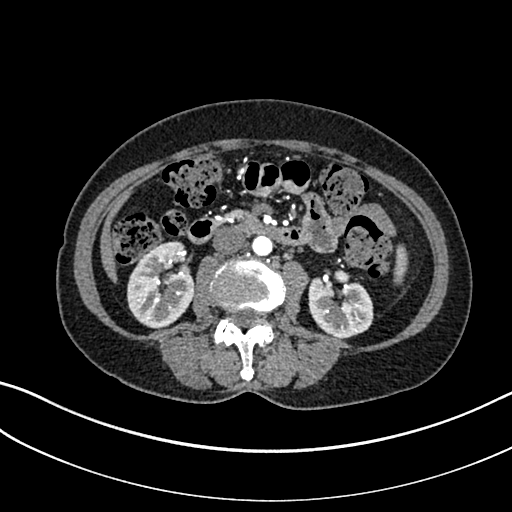
Arterial-phase contrast-enhanced abdominal CT, axial slice 130 of 325 (counted from the lowest slice); tube voltage 100 kVp, convolution kernel I30f; slices 1.00 mm thick, 0.703 mm per pixel.
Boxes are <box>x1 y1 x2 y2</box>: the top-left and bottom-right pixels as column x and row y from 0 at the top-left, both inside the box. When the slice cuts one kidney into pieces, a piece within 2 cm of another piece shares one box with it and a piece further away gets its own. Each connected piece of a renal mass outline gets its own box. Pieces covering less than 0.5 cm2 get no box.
Two kidney boxes on this slice; by box centre, from the image's left to its right: (1) Right kidney at <box>127 241 195 328</box> (outlined area 4,466 px, about 22.1 cm2). (2) Left kidney at <box>308 268 373 338</box> (outlined area 3,279 px, about 16.2 cm2). No renal mass outline on this slice.